Abdominal CT with intravenous contrast, arterial phase, axial plane, 100 kVp, kernel I31f. Slice 69/195 from the bottom of the scan; thickness 1.50 mm; pixel size 0.707 mm.
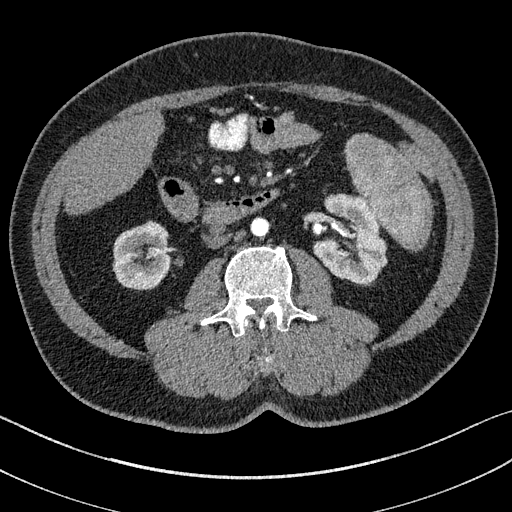
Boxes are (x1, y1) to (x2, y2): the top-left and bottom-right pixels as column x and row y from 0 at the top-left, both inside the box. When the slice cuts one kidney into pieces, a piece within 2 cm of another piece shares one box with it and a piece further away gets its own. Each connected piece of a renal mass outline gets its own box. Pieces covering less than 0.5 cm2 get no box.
Boxed on this slice (two kidney boxes), listed by box centre from the image's left to its right: (1) Box (113, 221) to (172, 289): right kidney (outlined area 3,184 px, about 15.9 cm2). (2) Left kidney from (313, 193) to (386, 285) (outlined area 4,649 px, about 23.2 cm2). No renal mass outline on this slice.